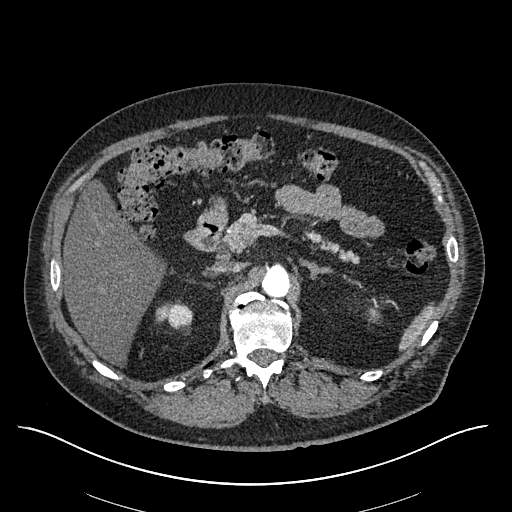
One axial slice (401 of 670, counting up from the lowest) of an arterial-phase abdominal CT acquired with 120 kVp, kernel I30f; each pixel is 0.861 mm and the slice is 1.00 mm thick.
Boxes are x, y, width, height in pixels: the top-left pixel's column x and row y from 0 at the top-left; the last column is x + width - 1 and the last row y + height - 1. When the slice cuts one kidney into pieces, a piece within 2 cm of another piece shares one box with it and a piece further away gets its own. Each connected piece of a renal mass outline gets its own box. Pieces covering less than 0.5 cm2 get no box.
Right kidney at x 159, y 300, width 33, height 28 (outlined area 657 px, about 4.9 cm2). No renal mass outline on this slice.